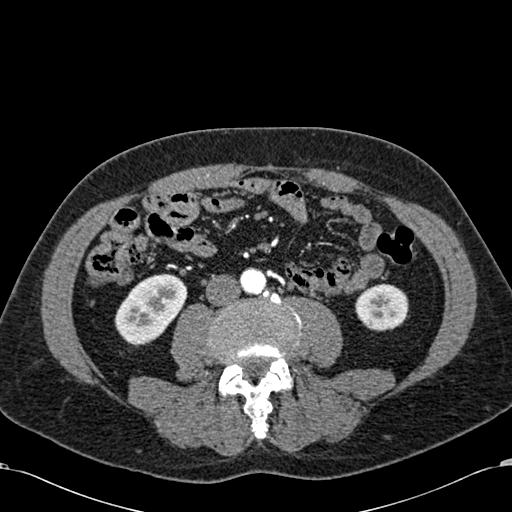
One axial slice (232 of 581, counting up from the lowest) of an arterial-phase abdominal CT acquired with 120 kVp, kernel B30f; each pixel is 0.713 mm and the slice is 1.00 mm thick.
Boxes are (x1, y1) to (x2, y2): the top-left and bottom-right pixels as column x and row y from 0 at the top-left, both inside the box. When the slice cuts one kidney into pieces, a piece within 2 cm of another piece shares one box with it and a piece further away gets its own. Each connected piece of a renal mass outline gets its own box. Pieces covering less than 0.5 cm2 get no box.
Two boxes on this slice (two kidney boxes), listed by box centre from the image's left to its right. (1) Box (114, 273) to (187, 346): right kidney (outlined area 3,591 px, about 18.2 cm2). (2) Left kidney, box (355, 283) to (408, 331) (outlined area 2,023 px, about 10.3 cm2). No renal mass outline on this slice.